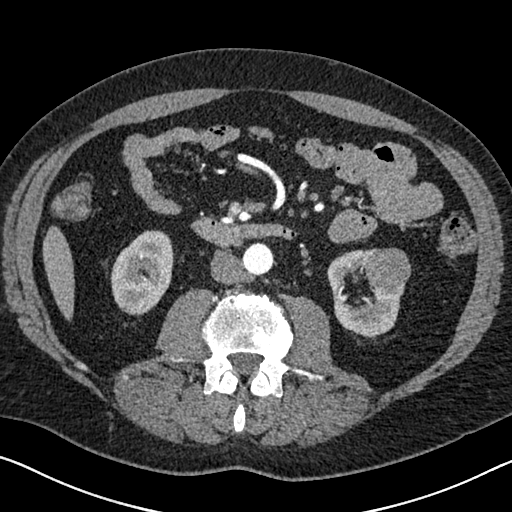
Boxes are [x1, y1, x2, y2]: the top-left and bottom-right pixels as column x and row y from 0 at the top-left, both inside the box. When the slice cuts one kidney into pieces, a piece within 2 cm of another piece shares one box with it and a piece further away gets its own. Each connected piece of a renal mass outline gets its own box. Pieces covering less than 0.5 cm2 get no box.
Arterial-phase contrast-enhanced abdominal CT, axial slice 328 of 626 (counted from the lowest slice); 1.00 mm thick, 0.703 mm per pixel. Three boxes on this slice (two kidney boxes and one renal mass box), listed by box centre from the image's left to its right. (1) Right kidney at [110, 230, 173, 315] (outlined area 4,045 px, about 20.0 cm2). (2) Box [327, 248, 404, 338]: left kidney (outlined area 3,631 px, about 18.0 cm2). (3) Box [363, 248, 411, 292]: left renal mass (outlined area 1,692 px, about 8.4 cm2).
Tube voltage 120 kVp; convolution kernel I30f.